One axial slice (173 of 349, counting up from the lowest) of an arterial-phase abdominal CT acquired with 120 kVp, kernel STANDARD; each pixel is 0.742 mm and the slice is 1.25 mm thick.
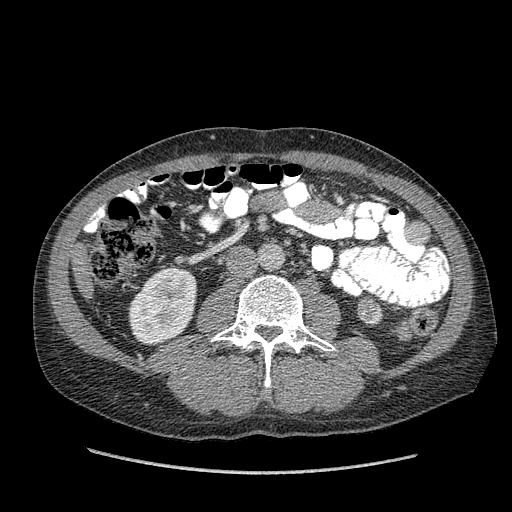
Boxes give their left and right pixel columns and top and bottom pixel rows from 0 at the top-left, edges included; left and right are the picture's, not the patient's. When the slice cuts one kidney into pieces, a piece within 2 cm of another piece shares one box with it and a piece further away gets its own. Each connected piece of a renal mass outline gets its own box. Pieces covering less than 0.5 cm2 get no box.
One kidney box and one renal mass box on this slice; by box centre, from the image's left to its right: (1) Right kidney in the box with left 128, top 266, right 196, bottom 345 (outlined area 4,119 px, about 22.7 cm2). (2) Left renal mass, the box with left 357, top 298, right 382, bottom 322 (outlined area 526 px, about 2.9 cm2).